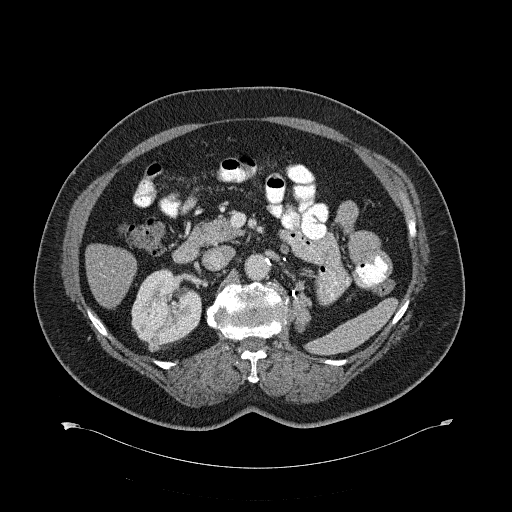
Axial slice 378 of 734 of a contrast-enhanced abdominal CT (slice 1 is the lowest), 120 kVp, kernel B31f; 2.00 mm slice thickness and 0.971 mm pixels.
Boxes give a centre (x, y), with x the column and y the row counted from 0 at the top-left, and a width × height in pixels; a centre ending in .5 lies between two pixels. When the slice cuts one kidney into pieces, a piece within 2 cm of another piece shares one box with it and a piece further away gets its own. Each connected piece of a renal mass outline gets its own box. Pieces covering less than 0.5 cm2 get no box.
Two boxes on this slice (one kidney box and one renal mass box), listed by box centre from the image's left to its right. (1) Right renal mass in a box with centre (153.5, 343), 12 × 15 pixels (outlined area 146 px, about 1.4 cm2). (2) Box centre (166, 308), 71 × 83 pixels: right kidney (outlined area 4,007 px, about 37.8 cm2).